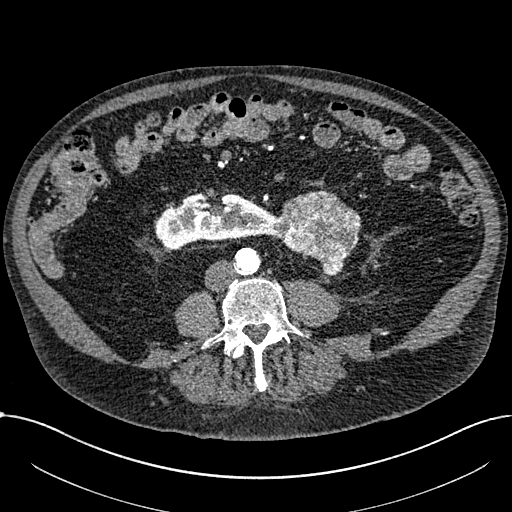
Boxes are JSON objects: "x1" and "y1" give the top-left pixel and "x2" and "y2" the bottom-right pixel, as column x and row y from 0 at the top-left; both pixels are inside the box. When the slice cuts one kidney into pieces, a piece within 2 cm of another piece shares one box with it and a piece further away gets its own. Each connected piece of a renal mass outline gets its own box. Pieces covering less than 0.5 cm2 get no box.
This is axial slice 265 of 1059 (slice 1 is the lowest) of an arterial-phase abdominal CT with contrast; each pixel is 0.811 mm and the slice is 1.00 mm thick. Boxed on this slice (one kidney box and one renal mass box), listed by box centre from the image's left to its right: (1) Right part of the midline-crossing kidney, box {"x1": 155, "y1": 193, "x2": 276, "y2": 249} (outlined area 4,657 px, about 30.6 cm2). (2) Box {"x1": 274, "y1": 190, "x2": 361, "y2": 275}: renal mass (outlined area 4,907 px, about 32.2 cm2).
Scan settings: 100 kVp, I30f reconstruction kernel.